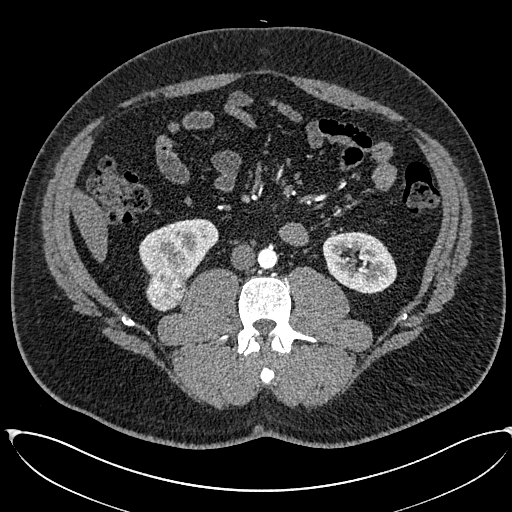
Axial slice 275 of 673 of a contrast-enhanced abdominal CT in the arterial phase (slice 1 is the lowest), 120 kVp, kernel I30f; 1.00 mm slice thickness and 0.855 mm pixels.
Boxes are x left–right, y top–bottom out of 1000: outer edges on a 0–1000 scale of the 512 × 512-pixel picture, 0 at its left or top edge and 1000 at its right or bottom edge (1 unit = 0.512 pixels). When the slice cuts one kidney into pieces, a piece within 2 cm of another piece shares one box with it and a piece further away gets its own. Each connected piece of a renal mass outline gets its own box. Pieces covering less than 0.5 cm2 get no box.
Three boxes on this slice (two kidney boxes and one renal mass box), listed by box centre from the image's left to its right. (1) Right renal mass at x 283–367, y 525–609 out of 1000 (outlined area 1,356 px, about 9.9 cm2). (2) Right kidney, box x 271–428, y 426–547 out of 1000 (outlined area 3,327 px, about 24.3 cm2). (3) Left kidney at x 629–777, y 451–576 out of 1000 (outlined area 3,485 px, about 25.5 cm2).